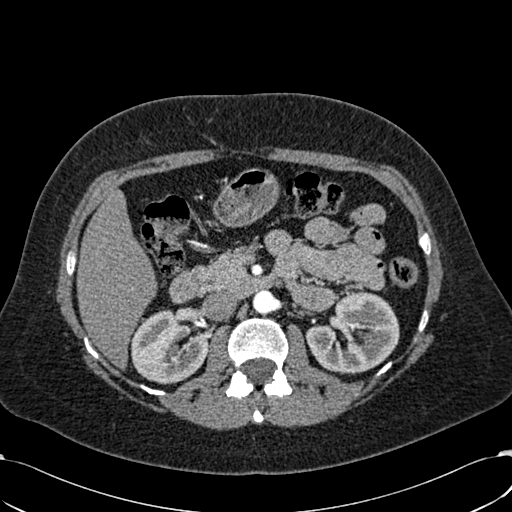
Abdominal CT with intravenous contrast, arterial phase, axial plane, 120 kVp, kernel B30f. Slice 378/532 from the bottom of the scan; thickness 1.00 mm; pixel size 0.713 mm.
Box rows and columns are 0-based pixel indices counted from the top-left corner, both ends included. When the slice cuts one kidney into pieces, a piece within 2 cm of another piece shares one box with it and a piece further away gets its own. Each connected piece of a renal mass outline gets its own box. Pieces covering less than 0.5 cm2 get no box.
Boxed on this slice (two kidney boxes), listed by box centre from the image's left to its right: (1) Right kidney, box rows 310–384, columns 131–207 (outlined area 4,230 px, about 21.5 cm2). (2) Box rows 291–373, columns 305–399: left kidney (outlined area 5,440 px, about 27.6 cm2). This slice carries no renal mass outline.